One axial slice (124 of 274, counting up from the lowest) of an arterial-phase abdominal CT acquired with 120 kVp, kernel B30f; each pixel is 0.809 mm and the slice is 2.00 mm thick.
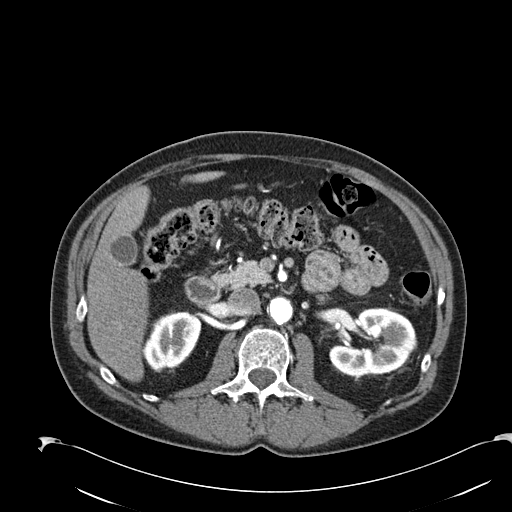
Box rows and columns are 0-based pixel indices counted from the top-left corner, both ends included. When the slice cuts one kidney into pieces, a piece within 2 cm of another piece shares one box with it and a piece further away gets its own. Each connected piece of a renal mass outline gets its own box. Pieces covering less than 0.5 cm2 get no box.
Two kidney boxes on this slice; by box centre, from the image's left to its right: (1) Right kidney at rows 311–370, columns 142–201 (outlined area 2,591 px, about 16.9 cm2). (2) Left kidney at rows 307–376, columns 329–416 (outlined area 4,268 px, about 27.9 cm2).